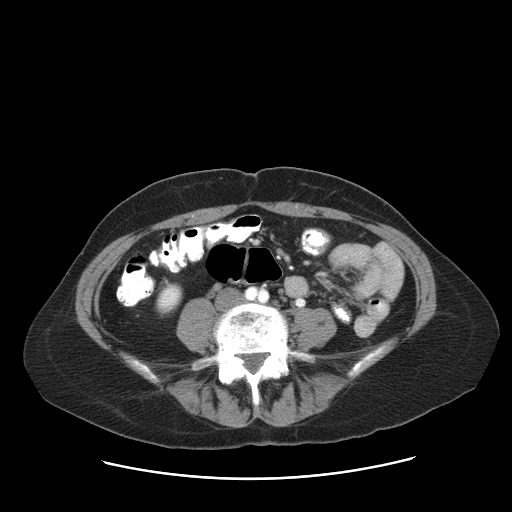
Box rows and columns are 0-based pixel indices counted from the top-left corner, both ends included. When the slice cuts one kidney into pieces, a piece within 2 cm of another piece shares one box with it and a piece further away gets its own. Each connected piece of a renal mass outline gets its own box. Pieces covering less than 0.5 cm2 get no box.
This is axial slice 38 of 83 (slice 1 is the lowest) of an arterial-phase abdominal CT with contrast; each pixel is 0.775 mm and the slice is 5.00 mm thick. Right kidney, box rows 282–316, columns 155–182 (outlined area 702 px, about 4.2 cm2). No renal mass is outlined on this slice.
Scan settings: 120 kVp, STANDARD reconstruction kernel.